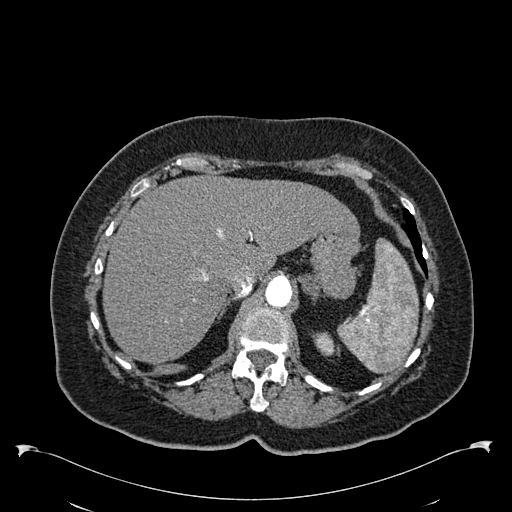
Abdominal CT with intravenous contrast, arterial phase, axial plane, 120 kVp, kernel B30f. Slice 449/538 from the bottom of the scan; thickness 1.00 mm; pixel size 0.811 mm.
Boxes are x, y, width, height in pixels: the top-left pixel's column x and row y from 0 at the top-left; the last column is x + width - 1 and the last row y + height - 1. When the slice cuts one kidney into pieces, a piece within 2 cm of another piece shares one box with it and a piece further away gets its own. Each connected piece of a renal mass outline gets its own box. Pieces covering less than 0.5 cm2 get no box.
Box x 312, y 332, width 29, height 24: left kidney (outlined area 437 px, about 2.9 cm2). No renal mass outline on this slice.